Axial slice 124 of 301 of a contrast-enhanced abdominal CT (slice 1 is the lowest), 120 kVp, kernel I40f; 2.00 mm slice thickness and 0.859 mm pixels.
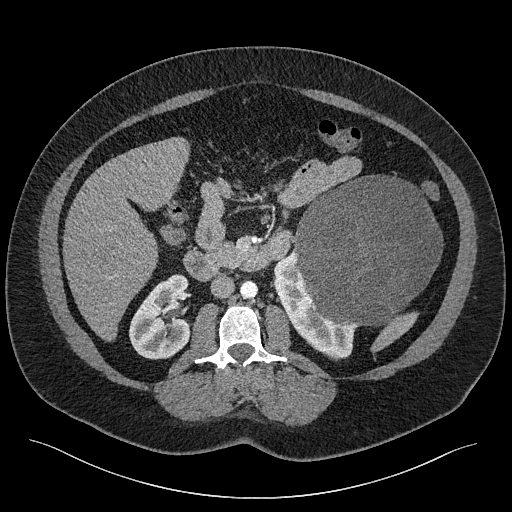
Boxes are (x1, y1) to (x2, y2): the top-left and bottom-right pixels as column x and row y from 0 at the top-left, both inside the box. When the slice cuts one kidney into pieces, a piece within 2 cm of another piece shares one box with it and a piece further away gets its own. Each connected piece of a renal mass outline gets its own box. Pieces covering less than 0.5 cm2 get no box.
Three boxes on this slice (two kidney boxes and one renal mass box), listed by box centre from the image's left to its right. (1) Right kidney, box (129, 274) to (191, 359) (outlined area 3,857 px, about 28.5 cm2). (2) Box (272, 251) to (357, 360): left kidney (outlined area 3,494 px, about 25.8 cm2). (3) Box (293, 175) to (443, 326): left renal mass (outlined area 17,386 px, about 128.4 cm2).